Contrast-enhanced abdominal CT, axial slice 306 of 433 (counted from the lowest slice); tube voltage 120 kVp, convolution kernel B30f; slices 1.00 mm thick, 0.672 mm per pixel.
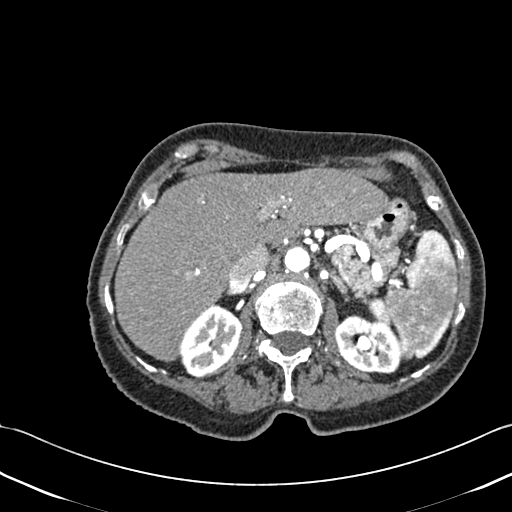
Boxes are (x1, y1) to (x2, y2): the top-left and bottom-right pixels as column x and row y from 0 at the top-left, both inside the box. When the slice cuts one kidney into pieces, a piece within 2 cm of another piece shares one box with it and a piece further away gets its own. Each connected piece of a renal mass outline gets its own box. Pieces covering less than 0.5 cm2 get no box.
Two boxes on this slice (two kidney boxes), listed by box centre from the image's left to its right. (1) Box (180, 304) to (243, 377): right kidney (outlined area 3,171 px, about 14.3 cm2). (2) Left kidney, box (335, 314) to (401, 373) (outlined area 2,960 px, about 13.4 cm2). This slice carries no renal mass outline.